Contrast-enhanced abdominal CT, axial slice 68 of 86 (counted from the lowest slice); tube voltage 140 kVp, convolution kernel I44f; slices 3.00 mm thick, 0.977 mm per pixel.
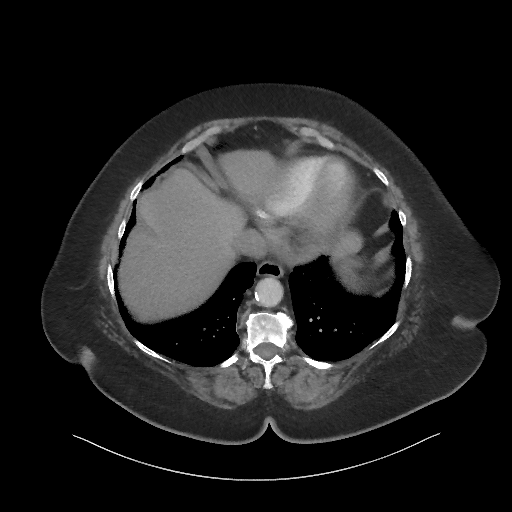
Outside the outlined region: no kidney outline and no renal mass outline on this slice. The scan's outlines cover only kidneys and renal masses; no other organ is outlined.